Axial slice 297 of 439 of a contrast-enhanced abdominal CT (slice 1 is the lowest), 100 kVp, kernel I40f; 2.00 mm slice thickness and 0.850 mm pixels.
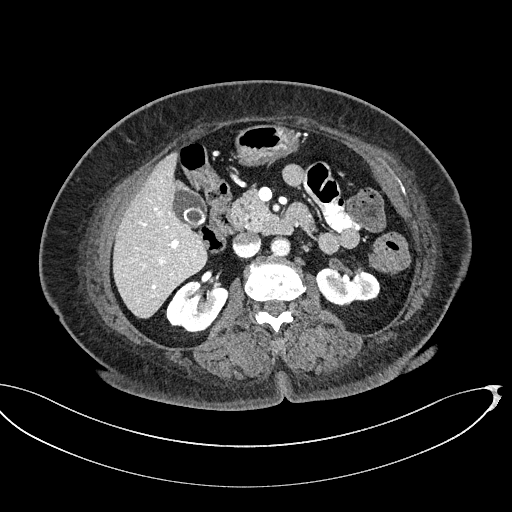
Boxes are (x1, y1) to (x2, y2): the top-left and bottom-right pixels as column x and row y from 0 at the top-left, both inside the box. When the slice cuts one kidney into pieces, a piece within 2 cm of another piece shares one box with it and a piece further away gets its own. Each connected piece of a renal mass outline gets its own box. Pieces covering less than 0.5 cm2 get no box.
Two boxes on this slice (two kidney boxes), listed by box centre from the image's left to its right. (1) Right kidney from (165, 280) to (228, 334) (outlined area 2,370 px, about 17.1 cm2). (2) Left kidney, box (316, 267) to (380, 306) (outlined area 1,922 px, about 13.9 cm2). No renal mass is outlined on this slice.